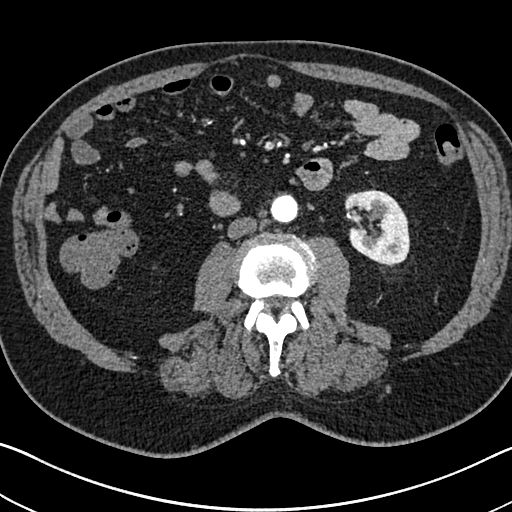
Axial slice 331 of 705 of a contrast-enhanced abdominal CT in the arterial phase (slice 1 is the lowest), 120 kVp, kernel I30f; 1.00 mm slice thickness and 0.703 mm pixels.
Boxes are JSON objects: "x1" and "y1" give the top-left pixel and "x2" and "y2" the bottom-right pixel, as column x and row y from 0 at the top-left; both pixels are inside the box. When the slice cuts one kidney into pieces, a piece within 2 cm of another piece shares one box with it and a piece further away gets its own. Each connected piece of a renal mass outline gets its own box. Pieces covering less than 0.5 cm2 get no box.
Left kidney, box {"x1": 344, "y1": 189, "x2": 410, "y2": 264} (outlined area 3,793 px, about 18.8 cm2). This slice carries no renal mass outline.